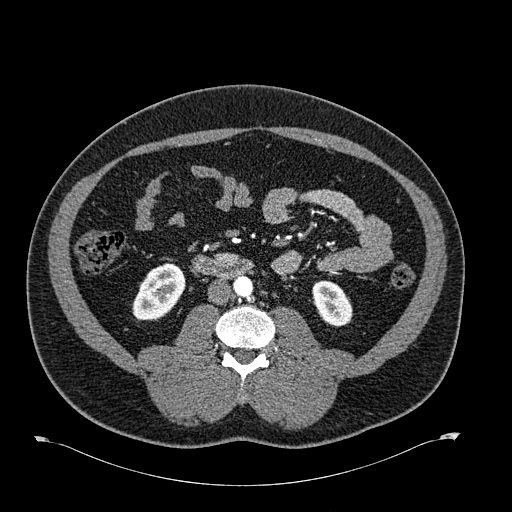
Axial slice 289 of 723 of a contrast-enhanced abdominal CT in the arterial phase (slice 1 is the lowest), 120 kVp, kernel B30f; 1.00 mm slice thickness and 0.895 mm pixels.
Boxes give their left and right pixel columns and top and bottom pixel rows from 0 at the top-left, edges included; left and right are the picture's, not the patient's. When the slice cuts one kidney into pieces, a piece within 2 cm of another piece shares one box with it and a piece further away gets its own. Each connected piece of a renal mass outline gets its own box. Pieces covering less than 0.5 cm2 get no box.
Two kidney boxes on this slice; by box centre, from the image's left to its right: (1) Right kidney in the box with left 132, top 263, right 185, bottom 320 (outlined area 2,196 px, about 17.6 cm2). (2) Left kidney in the box with left 312, top 280, right 352, bottom 326 (outlined area 1,428 px, about 11.4 cm2). This slice carries no renal mass outline.